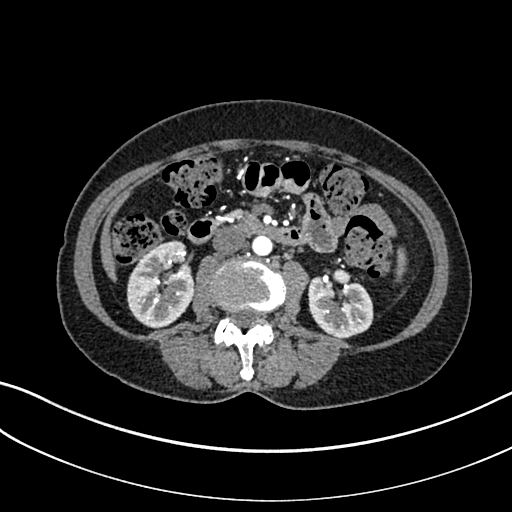
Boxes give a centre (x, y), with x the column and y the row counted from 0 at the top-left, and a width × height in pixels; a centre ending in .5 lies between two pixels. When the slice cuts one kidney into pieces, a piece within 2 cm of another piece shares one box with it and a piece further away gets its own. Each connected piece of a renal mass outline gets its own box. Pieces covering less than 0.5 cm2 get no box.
Arterial-phase contrast-enhanced abdominal CT, axial slice 129 of 325 (counted from the lowest slice); 1.00 mm thick, 0.703 mm per pixel. Boxed on this slice (two kidney boxes), listed by box centre from the image's left to its right: (1) Right kidney in a box with centre (161, 284), 69 × 89 pixels (outlined area 4,494 px, about 22.2 cm2). (2) Left kidney, box centre (340.5, 303.5), 66 × 70 pixels (outlined area 3,368 px, about 16.7 cm2). No renal mass is outlined on this slice.
Tube voltage 100 kVp; convolution kernel I30f.